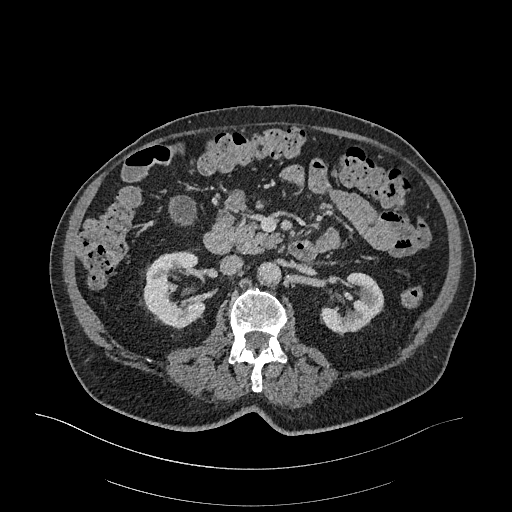
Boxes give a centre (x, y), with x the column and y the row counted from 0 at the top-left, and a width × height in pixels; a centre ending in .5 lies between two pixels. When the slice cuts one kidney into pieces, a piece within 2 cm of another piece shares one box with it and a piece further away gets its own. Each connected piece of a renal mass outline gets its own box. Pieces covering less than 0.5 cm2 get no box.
This is axial slice 164 of 470 (slice 1 is the lowest) of an arterial-phase abdominal CT with contrast; each pixel is 0.938 mm and the slice is 1.00 mm thick. Two boxes on this slice (two kidney boxes), listed by box centre from the image's left to its right. (1) Box centre (173.5, 289), 64 × 77 pixels: right kidney (outlined area 3,444 px, about 30.3 cm2). (2) Box centre (352.5, 303.5), 64 × 64 pixels: left kidney (outlined area 2,427 px, about 21.3 cm2). This slice carries no renal mass outline.
Tube voltage 120 kVp; convolution kernel I26f.